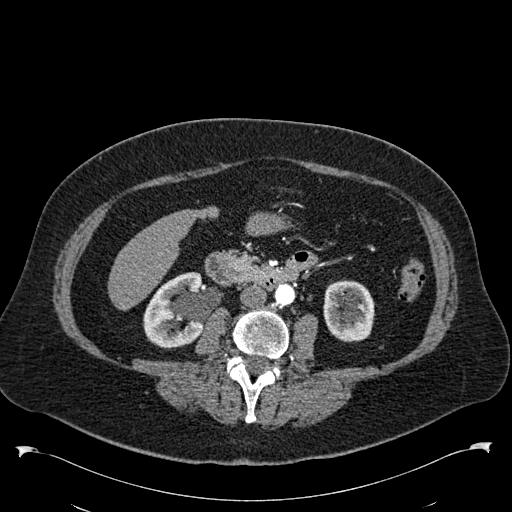
One axial slice (273 of 538, counting up from the lowest) of an arterial-phase abdominal CT acquired with 120 kVp, kernel B30f; each pixel is 0.811 mm and the slice is 1.00 mm thick.
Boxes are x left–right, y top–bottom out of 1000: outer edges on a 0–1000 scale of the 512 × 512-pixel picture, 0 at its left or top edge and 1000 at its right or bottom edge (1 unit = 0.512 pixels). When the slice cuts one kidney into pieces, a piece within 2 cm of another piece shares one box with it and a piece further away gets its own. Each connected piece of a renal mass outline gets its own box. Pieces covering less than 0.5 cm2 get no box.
Two boxes on this slice (two kidney boxes), listed by box centre from the image's left to its right. (1) Box x 279–396, y 531–682 out of 1000: right kidney (outlined area 3,559 px, about 23.4 cm2). (2) Left kidney, box x 631–732, y 547–670 out of 1000 (outlined area 2,666 px, about 17.5 cm2). No renal mass outline on this slice.